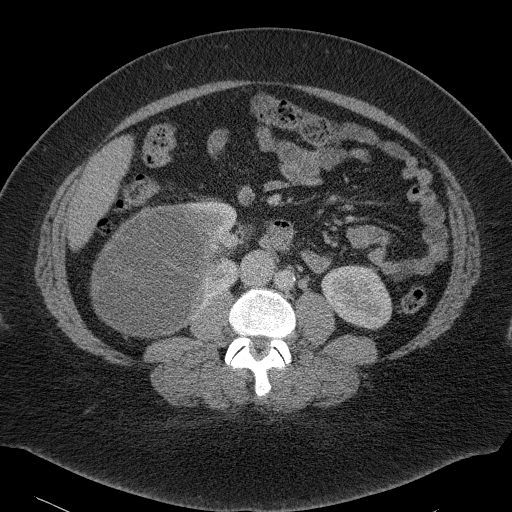
Axial slice 53 of 90 of a contrast-enhanced abdominal CT (slice 1 is the lowest), 120 kVp, kernel B41f; 5.00 mm slice thickness and 0.781 mm pixels.
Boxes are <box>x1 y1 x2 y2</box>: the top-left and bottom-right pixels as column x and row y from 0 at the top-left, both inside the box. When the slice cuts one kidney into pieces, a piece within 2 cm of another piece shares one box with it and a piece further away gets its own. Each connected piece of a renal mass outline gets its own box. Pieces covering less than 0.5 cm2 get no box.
Boxed on this slice (two kidney boxes and one renal mass box), listed by box centre from the image's left to its right: (1) Right renal mass: <box>90 204 213 338</box> (outlined area 12,625 px, about 77.1 cm2). (2) Right kidney at <box>182 201 241 305</box> (outlined area 3,040 px, about 18.6 cm2). (3) Left kidney at <box>320 265 392 330</box> (outlined area 3,423 px, about 20.9 cm2).